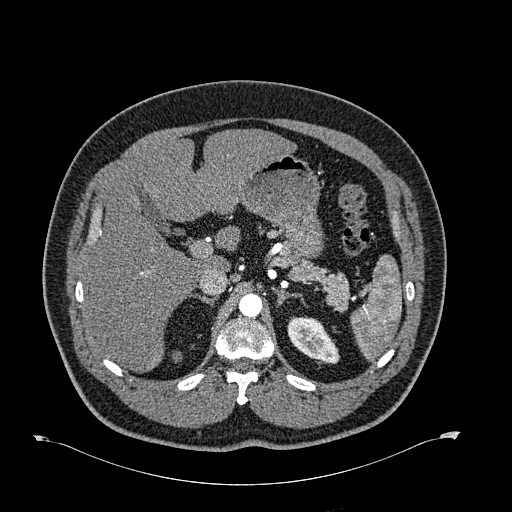
One axial slice (476 of 723, counting up from the lowest) of an arterial-phase abdominal CT acquired with 120 kVp, kernel B30f; each pixel is 0.895 mm and the slice is 1.00 mm thick.
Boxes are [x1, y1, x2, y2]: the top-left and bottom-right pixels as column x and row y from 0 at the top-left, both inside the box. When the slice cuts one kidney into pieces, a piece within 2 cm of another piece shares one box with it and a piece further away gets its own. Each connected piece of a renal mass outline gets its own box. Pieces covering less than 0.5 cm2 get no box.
Box [287, 316, 339, 363]: left kidney (outlined area 1,675 px, about 13.4 cm2). No renal mass outline on this slice.